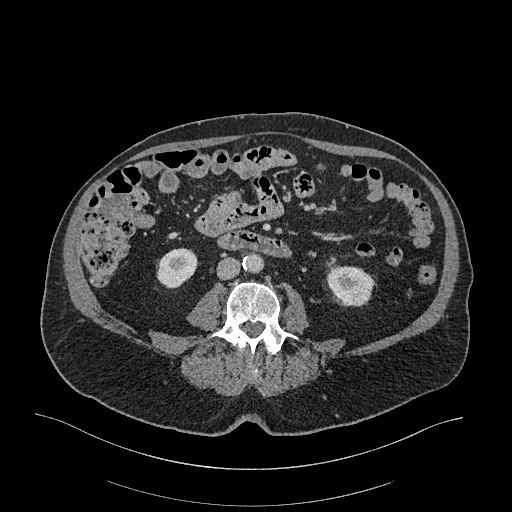
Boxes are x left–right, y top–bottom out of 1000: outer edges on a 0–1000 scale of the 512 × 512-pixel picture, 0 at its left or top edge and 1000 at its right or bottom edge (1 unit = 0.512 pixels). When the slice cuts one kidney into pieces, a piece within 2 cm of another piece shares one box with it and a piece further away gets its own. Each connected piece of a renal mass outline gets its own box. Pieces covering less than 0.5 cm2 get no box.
Arterial-phase contrast-enhanced abdominal CT, axial slice 82 of 470 (counted from the lowest slice); 1.00 mm thick, 0.938 mm per pixel. Two kidney boxes on this slice; by box centre, from the image's left to its right: (1) Right kidney at x 305–387, y 484–564 out of 1000 (outlined area 1,274 px, about 11.2 cm2). (2) Left kidney at x 637–732, y 502–600 out of 1000 (outlined area 1,664 px, about 14.6 cm2).
Tube voltage 120 kVp; convolution kernel I26f.